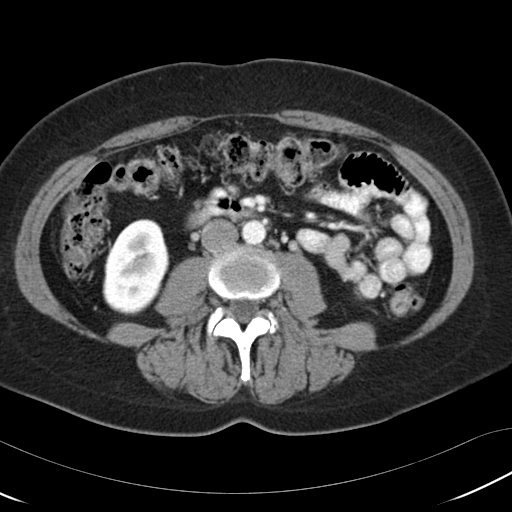
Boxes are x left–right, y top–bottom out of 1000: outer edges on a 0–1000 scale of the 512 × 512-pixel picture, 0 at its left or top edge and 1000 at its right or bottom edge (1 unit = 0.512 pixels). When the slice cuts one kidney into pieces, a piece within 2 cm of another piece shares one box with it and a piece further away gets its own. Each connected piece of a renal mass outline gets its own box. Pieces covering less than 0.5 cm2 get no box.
This is axial slice 55 of 97 (slice 1 is the lowest) of an abdominal CT with contrast; each pixel is 0.664 mm and the slice is 5.00 mm thick. Box x 199–328, y 428–611 out of 1000: right kidney (outlined area 4,694 px, about 20.7 cm2). No renal mass outline on this slice.
Acquired at 120 kVp and reconstructed with the B30f kernel.